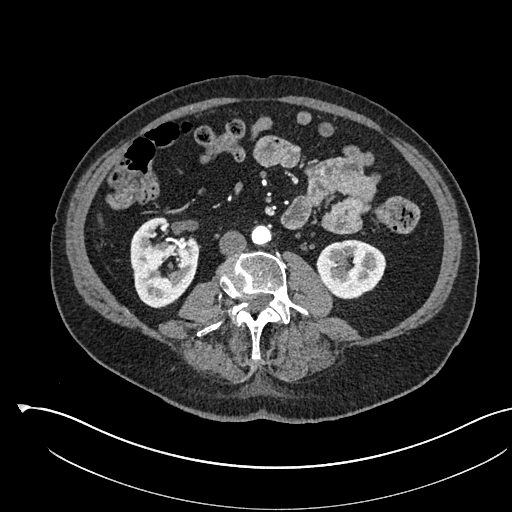
Arterial-phase contrast-enhanced abdominal CT, axial slice 257 of 541 (counted from the lowest slice); tube voltage 120 kVp, convolution kernel I30f; slices 1.00 mm thick, 0.834 mm per pixel.
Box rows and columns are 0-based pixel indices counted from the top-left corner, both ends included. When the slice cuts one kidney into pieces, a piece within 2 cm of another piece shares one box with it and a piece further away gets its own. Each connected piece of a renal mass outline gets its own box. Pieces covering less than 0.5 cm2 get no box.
Two boxes on this slice (two kidney boxes), listed by box centre from the image's left to its right. (1) Box rows 216–308, columns 130–199: right kidney (outlined area 4,561 px, about 31.7 cm2). (2) Box rows 239–299, columns 317–386: left kidney (outlined area 3,201 px, about 22.3 cm2). This slice carries no renal mass outline.